Axial slice 63 of 82 of a contrast-enhanced abdominal CT in the arterial phase (slice 1 is the lowest), 120 kVp, kernel B31f; 5.00 mm slice thickness and 0.625 mm pixels.
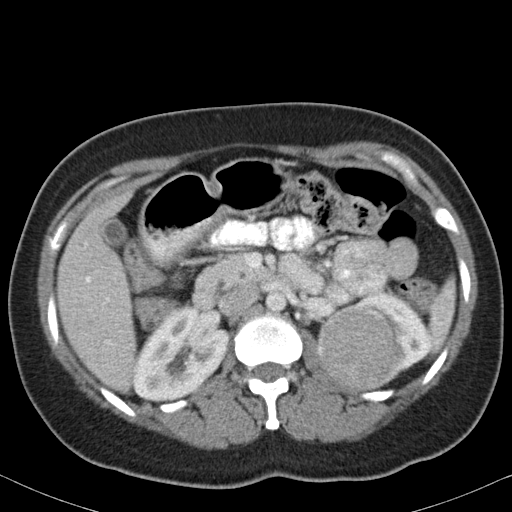
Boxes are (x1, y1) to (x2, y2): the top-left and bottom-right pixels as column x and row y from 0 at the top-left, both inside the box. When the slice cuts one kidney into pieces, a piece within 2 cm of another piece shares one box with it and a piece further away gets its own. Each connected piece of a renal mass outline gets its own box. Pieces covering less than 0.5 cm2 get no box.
Boxed on this slice (two kidney boxes and one renal mass box), listed by box centre from the image's left to its right: (1) Right kidney, box (132, 306) to (229, 403) (outlined area 6,602 px, about 25.8 cm2). (2) Left renal mass from (317, 303) to (402, 389) (outlined area 5,948 px, about 23.2 cm2). (3) Left kidney, box (356, 293) to (431, 371) (outlined area 2,236 px, about 8.7 cm2).